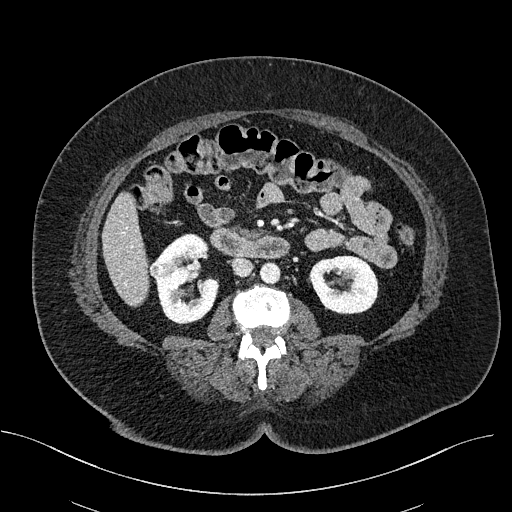
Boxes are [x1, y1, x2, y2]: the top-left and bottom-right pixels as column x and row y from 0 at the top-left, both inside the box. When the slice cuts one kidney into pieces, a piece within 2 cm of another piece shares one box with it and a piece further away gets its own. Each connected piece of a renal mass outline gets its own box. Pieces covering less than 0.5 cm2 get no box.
Slice 281/470 of a contrast-enhanced abdominal CT, counting up from the lowest; pixel size 0.824 mm, slice thickness 2.00 mm. Two kidney boxes and one renal mass box on this slice; by box centre, from the image's left to its right: (1) Box [149, 262, 164, 278]: right renal mass (outlined area 227 px, about 1.5 cm2). (2) Right kidney at [154, 233, 219, 324] (outlined area 4,019 px, about 27.3 cm2). (3) Left kidney at [309, 255, 378, 314] (outlined area 3,197 px, about 21.7 cm2).
Acquired at 100 kVp and reconstructed with the I40f kernel.